Axial slice 388 of 538 of a contrast-enhanced abdominal CT in the arterial phase (slice 1 is the lowest), 120 kVp, kernel B30f; 1.00 mm slice thickness and 0.811 mm pixels.
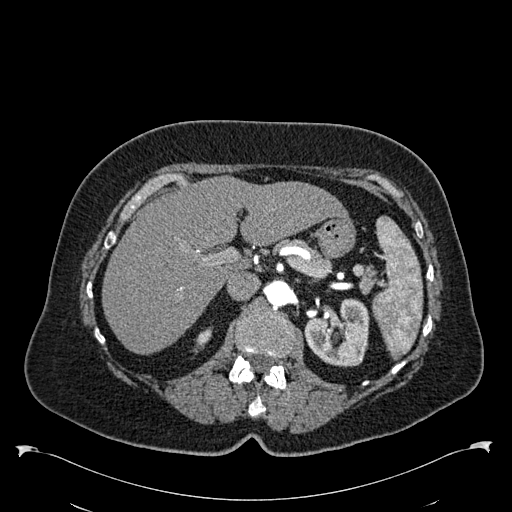
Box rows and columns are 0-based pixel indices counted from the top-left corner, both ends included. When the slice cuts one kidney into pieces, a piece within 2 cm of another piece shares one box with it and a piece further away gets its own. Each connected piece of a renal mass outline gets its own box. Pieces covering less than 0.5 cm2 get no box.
Two kidney boxes on this slice; by box centre, from the image's left to its right: (1) Box rows 327–353, columns 193–212: right kidney (outlined area 254 px, about 1.7 cm2). (2) Left kidney, box rows 298–367, columns 304–369 (outlined area 3,320 px, about 21.8 cm2). This slice carries no renal mass outline.